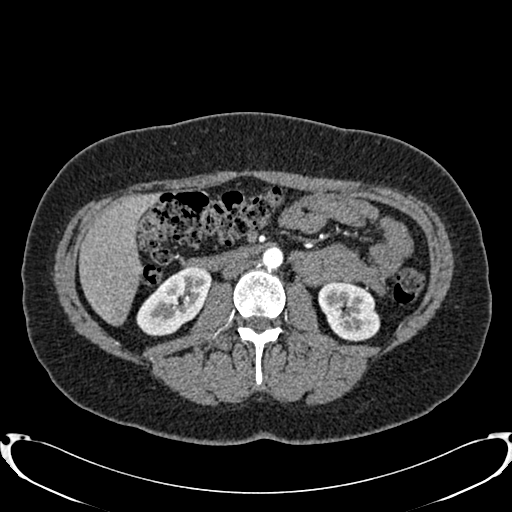
Abdominal CT with intravenous contrast, arterial phase, axial plane, 120 kVp, kernel B20f. Slice 420/719 from the bottom of the scan; thickness 1.00 mm; pixel size 0.766 mm.
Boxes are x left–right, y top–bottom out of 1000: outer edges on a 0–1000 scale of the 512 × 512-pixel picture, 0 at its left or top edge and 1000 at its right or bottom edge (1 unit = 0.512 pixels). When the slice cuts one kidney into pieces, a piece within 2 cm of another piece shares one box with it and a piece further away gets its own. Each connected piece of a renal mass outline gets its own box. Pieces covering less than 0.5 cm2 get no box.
Two kidney boxes on this slice; by box centre, from the image's left to its right: (1) Right kidney, box x 266–414, y 520–658 out of 1000 (outlined area 3,359 px, about 19.7 cm2). (2) Box x 621–744, y 551–668 out of 1000: left kidney (outlined area 2,813 px, about 16.5 cm2). This slice carries no renal mass outline.